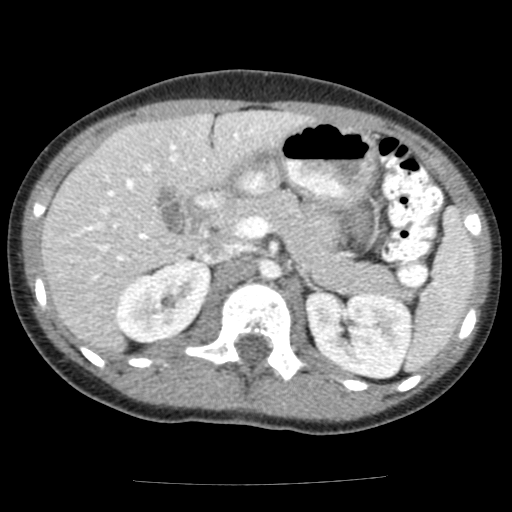
Abdominal CT with intravenous contrast, arterial phase, axial plane, 120 kVp, kernel FC12. Slice 89/117 from the bottom of the scan; thickness 3.00 mm; pixel size 0.518 mm.
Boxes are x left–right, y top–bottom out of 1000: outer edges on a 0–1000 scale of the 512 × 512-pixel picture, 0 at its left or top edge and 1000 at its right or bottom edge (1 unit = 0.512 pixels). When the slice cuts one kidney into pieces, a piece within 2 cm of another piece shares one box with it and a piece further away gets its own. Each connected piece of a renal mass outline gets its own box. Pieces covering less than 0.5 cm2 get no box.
Two boxes on this slice (two kidney boxes), listed by box centre from the image's left to its right. (1) Box x 225–412, y 504–672 out of 1000: right kidney (outlined area 5,794 px, about 15.5 cm2). (2) Box x 598–805, y 564–742 out of 1000: left kidney (outlined area 7,666 px, about 20.6 cm2). This slice carries no renal mass outline.